Arterial-phase contrast-enhanced abdominal CT, axial slice 449 of 553 (counted from the lowest slice); tube voltage 120 kVp, convolution kernel B20f; slices 1.00 mm thick, 0.773 mm per pixel.
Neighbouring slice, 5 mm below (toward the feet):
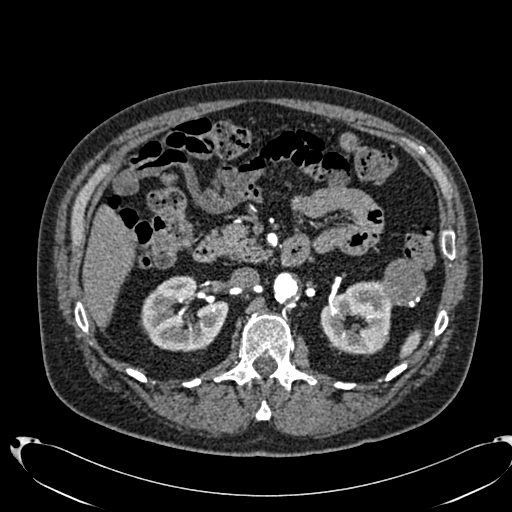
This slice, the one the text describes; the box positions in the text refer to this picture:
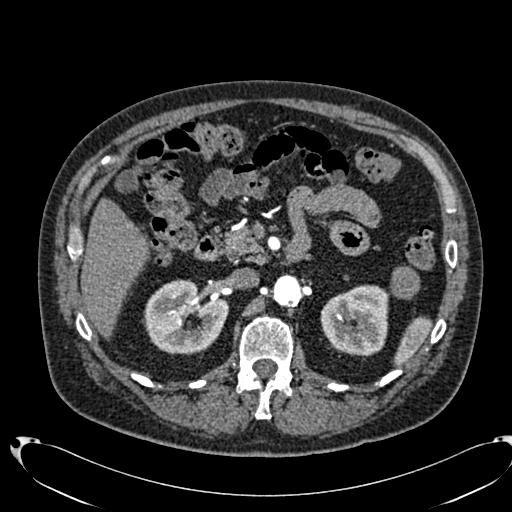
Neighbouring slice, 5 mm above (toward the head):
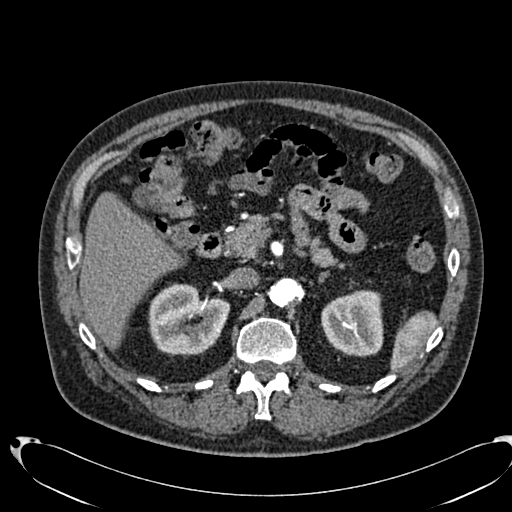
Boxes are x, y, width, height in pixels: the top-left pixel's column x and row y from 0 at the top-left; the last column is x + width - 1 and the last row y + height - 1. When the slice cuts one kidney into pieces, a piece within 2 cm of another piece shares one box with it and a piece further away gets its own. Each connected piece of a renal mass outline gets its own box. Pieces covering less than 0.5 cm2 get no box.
Boxed on this slice (two kidney boxes and one renal mass box), listed by box centre from the image's left to its right: (1) Box x 142, y 279, width 88, height 76: right kidney (outlined area 4,746 px, about 28.4 cm2). (2) Box x 320, y 284, width 69, height 72: left kidney (outlined area 3,901 px, about 23.3 cm2). (3) Left renal mass, box x 391, y 266, width 29, height 34 (outlined area 810 px, about 4.8 cm2). This slice is near the end of the left renal mass toward the head, so the slices 5 mm below and 5 mm above it are shown as well; the boxes refer to this slice only.